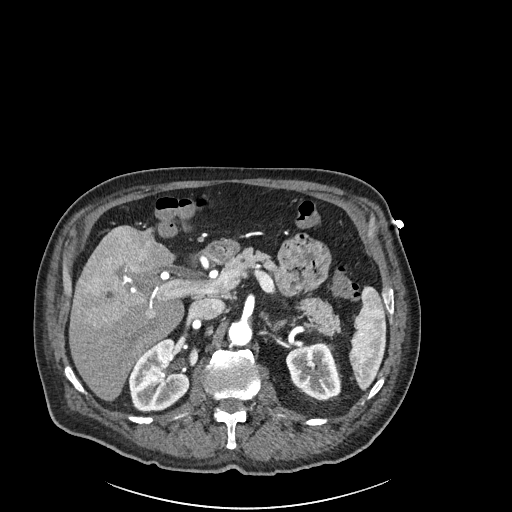
Arterial-phase contrast-enhanced abdominal CT, axial slice 142 of 261 (counted from the lowest slice); tube voltage 120 kVp, convolution kernel I30f; slices 2.00 mm thick, 0.939 mm per pixel.
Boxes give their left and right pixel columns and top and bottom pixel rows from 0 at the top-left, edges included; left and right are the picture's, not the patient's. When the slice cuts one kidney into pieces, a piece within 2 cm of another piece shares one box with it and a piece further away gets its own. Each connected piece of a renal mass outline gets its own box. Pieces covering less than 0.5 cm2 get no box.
Two boxes on this slice (two kidney boxes), listed by box centre from the image's left to its right. (1) Right kidney in the box with left 128, top 338, right 189, bottom 411 (outlined area 3,310 px, about 29.2 cm2). (2) Left kidney in the box with left 285, top 343, right 340, bottom 400 (outlined area 2,301 px, about 20.3 cm2). No renal mass is outlined on this slice.